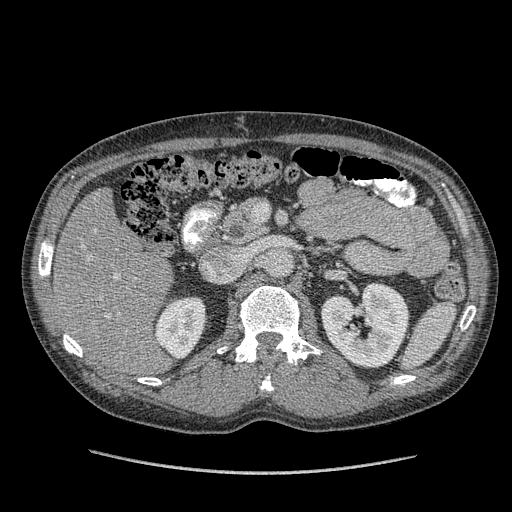
Arterial-phase contrast-enhanced abdominal CT, axial slice 231 of 349 (counted from the lowest slice); tube voltage 120 kVp, convolution kernel STANDARD; slices 1.25 mm thick, 0.742 mm per pixel.
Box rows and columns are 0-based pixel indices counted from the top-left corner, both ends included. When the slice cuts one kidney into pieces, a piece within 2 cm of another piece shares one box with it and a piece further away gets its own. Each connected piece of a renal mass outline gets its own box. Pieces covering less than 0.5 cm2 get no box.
Boxed on this slice (two kidney boxes), listed by box centre from the image's left to its right: (1) Right kidney, box rows 296–359, columns 154–206 (outlined area 2,450 px, about 13.5 cm2). (2) Box rows 282–368, columns 321–409: left kidney (outlined area 5,567 px, about 30.7 cm2). No renal mass outline on this slice.